Axial slice 367 of 735 of a contrast-enhanced abdominal CT in the arterial phase (slice 1 is the lowest), 120 kVp, kernel I30f; 1.00 mm slice thickness and 0.789 mm pixels.
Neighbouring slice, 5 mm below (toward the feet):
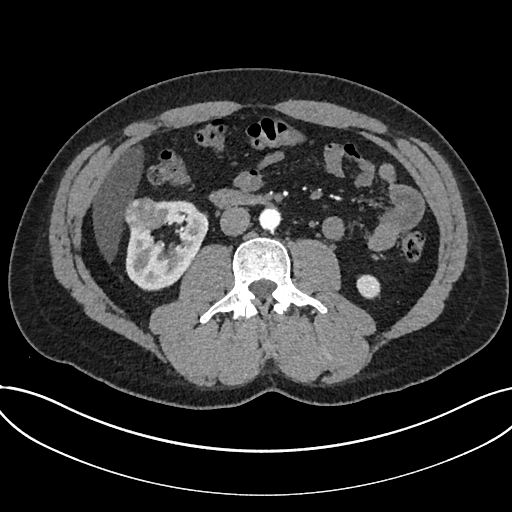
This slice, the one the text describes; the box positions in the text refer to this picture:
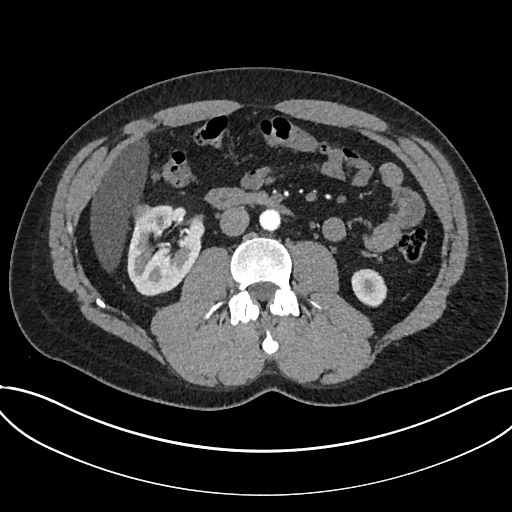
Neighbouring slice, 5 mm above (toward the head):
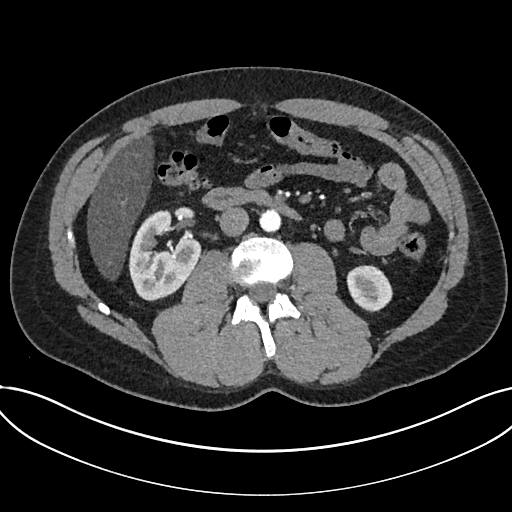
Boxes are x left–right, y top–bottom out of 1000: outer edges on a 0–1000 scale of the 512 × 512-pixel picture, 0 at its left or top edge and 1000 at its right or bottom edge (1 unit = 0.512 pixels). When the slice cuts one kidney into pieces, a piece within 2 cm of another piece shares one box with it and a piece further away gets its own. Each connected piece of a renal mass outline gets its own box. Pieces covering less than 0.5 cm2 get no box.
Two kidney boxes and one renal mass box on this slice; by box centre, from the image's left to its right: (1) Renal mass, box x 258–303, y 398–441 out of 1000 (outlined area 382 px, about 2.4 cm2). (2) Box x 248–398, y 398–580 out of 1000: kidney (outlined area 4,829 px, about 30.1 cm2). (3) Kidney at x 686–758, y 523–602 out of 1000 (outlined area 1,081 px, about 6.7 cm2). This slice is near the end of a renal mass toward the head, so the slices 5 mm below and 5 mm above it are shown as well; the boxes refer to this slice only.